One axial slice (342 of 591, counting up from the lowest) of an arterial-phase abdominal CT acquired with 140 kVp, kernel I30f; each pixel is 0.703 mm and the slice is 1.00 mm thick.
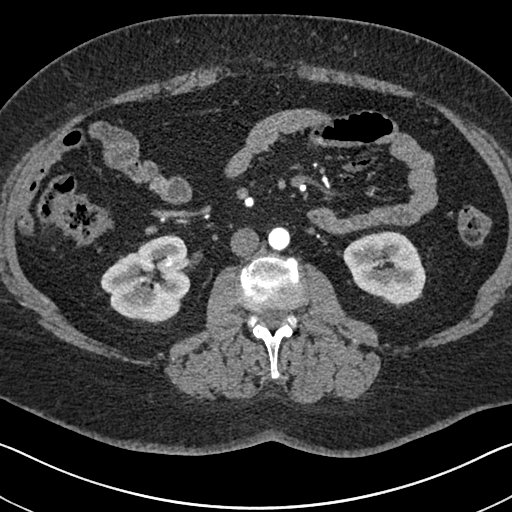
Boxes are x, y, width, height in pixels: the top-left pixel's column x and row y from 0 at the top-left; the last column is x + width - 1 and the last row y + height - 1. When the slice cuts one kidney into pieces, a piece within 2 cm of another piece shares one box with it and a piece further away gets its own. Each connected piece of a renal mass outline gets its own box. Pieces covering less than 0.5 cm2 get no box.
Boxed on this slice (two kidney boxes), listed by box centre from the image's left to its right: (1) Right kidney at x 100, y 234, width 94, height 91 (outlined area 5,769 px, about 28.5 cm2). (2) Box x 343, y 231, width 84, height 73: left kidney (outlined area 4,502 px, about 22.3 cm2). This slice carries no renal mass outline.